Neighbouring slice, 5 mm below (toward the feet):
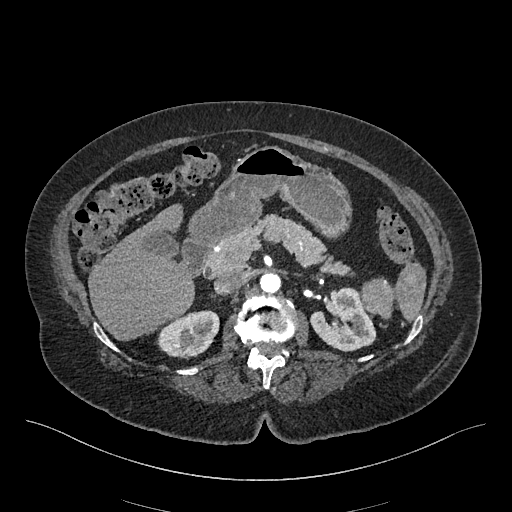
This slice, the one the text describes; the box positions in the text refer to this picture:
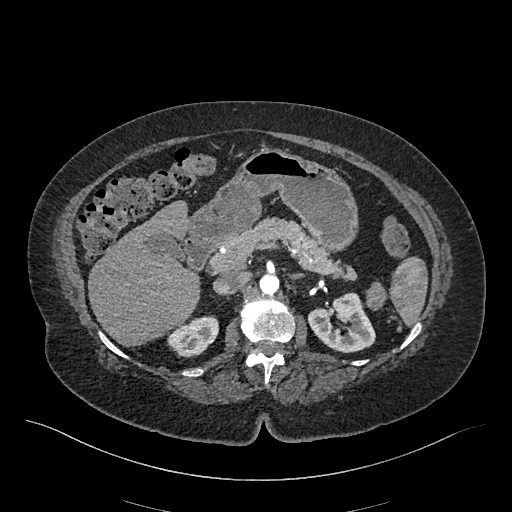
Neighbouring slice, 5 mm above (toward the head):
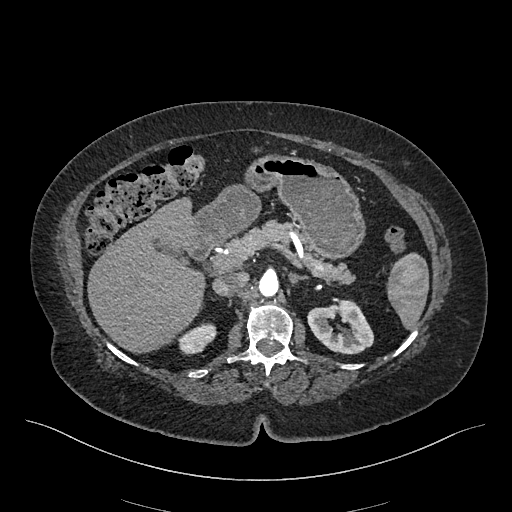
Arterial-phase contrast-enhanced abdominal CT, axial slice 301 of 548 (counted from the lowest slice); tube voltage 120 kVp, convolution kernel I26f; slices 1.00 mm thick, 0.852 mm per pixel.
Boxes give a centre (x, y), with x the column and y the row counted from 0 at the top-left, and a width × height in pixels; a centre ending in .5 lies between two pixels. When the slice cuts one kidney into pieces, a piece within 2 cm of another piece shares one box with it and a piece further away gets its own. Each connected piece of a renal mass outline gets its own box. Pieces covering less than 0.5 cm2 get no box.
Two kidney boxes and one renal mass box on this slice; by box centre, from the image's left to its right: (1) Right kidney in a box with centre (192.5, 336), 52 × 43 pixels (outlined area 1,528 px, about 11.1 cm2). (2) Box centre (341, 322.5), 69 × 62 pixels: left kidney (outlined area 2,767 px, about 20.1 cm2). (3) Left renal mass in a box with centre (376, 295.5), 21 × 30 pixels (outlined area 463 px, about 3.4 cm2). This slice is near the end of the left renal mass toward the head, so the slices 5 mm below and 5 mm above it are shown as well; the boxes refer to this slice only.